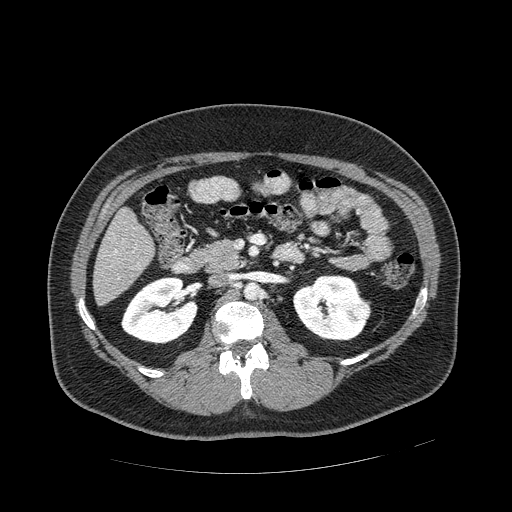
Axial slice 259 of 389 of a contrast-enhanced abdominal CT in the arterial phase (slice 1 is the lowest), 120 kVp, kernel STANDARD; 1.25 mm slice thickness and 0.869 mm pixels.
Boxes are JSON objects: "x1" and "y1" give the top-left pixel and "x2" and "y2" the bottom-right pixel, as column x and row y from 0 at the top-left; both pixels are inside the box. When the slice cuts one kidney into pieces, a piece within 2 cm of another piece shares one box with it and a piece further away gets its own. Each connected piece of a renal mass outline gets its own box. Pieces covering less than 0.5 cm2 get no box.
Two kidney boxes and one renal mass box on this slice; by box centre, from the image's left to its right: (1) Right kidney, box {"x1": 121, "y1": 276, "x2": 197, "y2": 345} (outlined area 3,826 px, about 28.9 cm2). (2) Left kidney, box {"x1": 292, "y1": 275, "x2": 366, "y2": 341} (outlined area 3,588 px, about 27.1 cm2). (3) Left renal mass, box {"x1": 353, "y1": 299, "x2": 371, "y2": 321} (outlined area 319 px, about 2.4 cm2).